Arterial-phase contrast-enhanced abdominal CT, axial slice 497 of 719 (counted from the lowest slice); tube voltage 120 kVp, convolution kernel B20f; slices 1.00 mm thick, 0.766 mm per pixel.
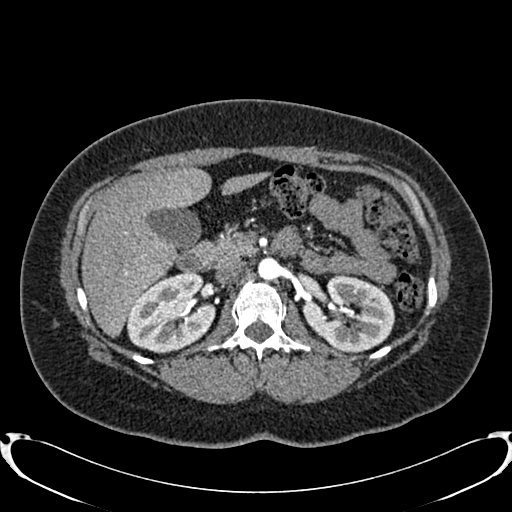
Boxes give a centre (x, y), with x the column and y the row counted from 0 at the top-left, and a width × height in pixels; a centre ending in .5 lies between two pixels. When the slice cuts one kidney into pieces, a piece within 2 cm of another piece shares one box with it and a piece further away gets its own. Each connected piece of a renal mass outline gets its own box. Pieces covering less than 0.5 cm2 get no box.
Two kidney boxes on this slice; by box centre, from the image's left to its right: (1) Right kidney in a box with centre (170.5, 312), 90 × 83 pixels (outlined area 5,327 px, about 31.2 cm2). (2) Left kidney, box centre (350, 313.5), 89 × 78 pixels (outlined area 5,023 px, about 29.4 cm2). This slice carries no renal mass outline.